Arterial-phase contrast-enhanced abdominal CT, axial slice 62 of 279 (counted from the lowest slice); tube voltage 120 kVp, convolution kernel B31f; slices 2.00 mm thick, 0.824 mm per pixel.
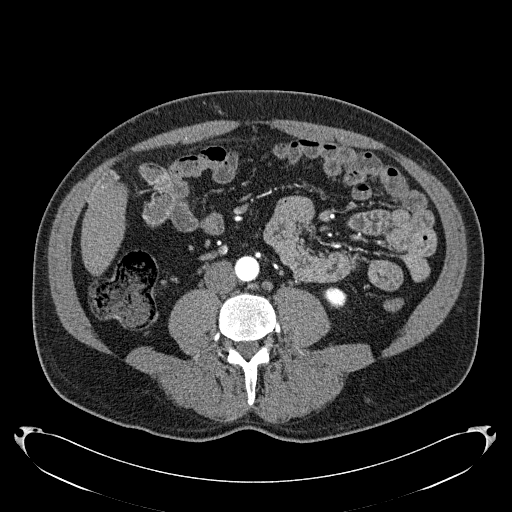
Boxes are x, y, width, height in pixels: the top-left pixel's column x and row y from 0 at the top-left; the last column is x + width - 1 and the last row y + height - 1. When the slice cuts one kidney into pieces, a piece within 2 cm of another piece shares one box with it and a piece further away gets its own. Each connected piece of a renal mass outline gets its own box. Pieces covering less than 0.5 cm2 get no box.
Left kidney, box x 323, y 287, width 24, height 22 (outlined area 392 px, about 2.7 cm2). No renal mass is outlined on this slice.